Axial slice 8 of 68 of a contrast-enhanced abdominal CT in the arterial phase (slice 1 is the lowest), 120 kVp, kernel B31f; 5.00 mm slice thickness and 0.961 mm pixels.
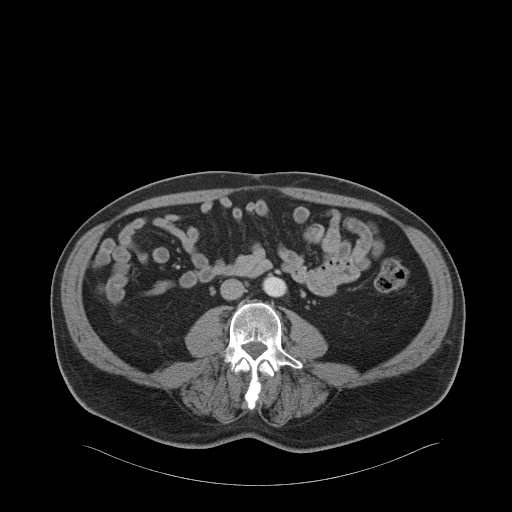
No kidney and no renal mass is outlined on this slice; the outlines in this scan cover only the kidneys and the renal masses, so nothing is said about any other organ.